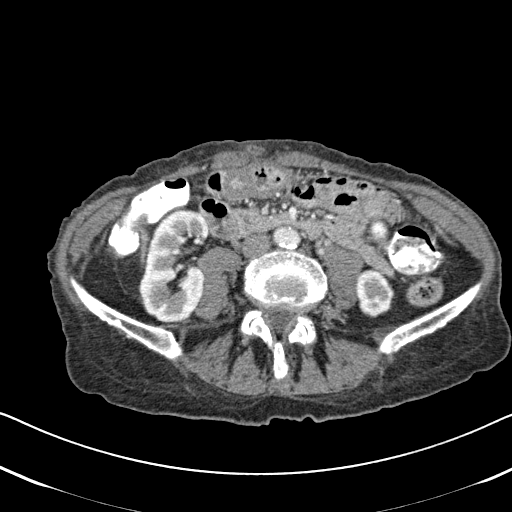
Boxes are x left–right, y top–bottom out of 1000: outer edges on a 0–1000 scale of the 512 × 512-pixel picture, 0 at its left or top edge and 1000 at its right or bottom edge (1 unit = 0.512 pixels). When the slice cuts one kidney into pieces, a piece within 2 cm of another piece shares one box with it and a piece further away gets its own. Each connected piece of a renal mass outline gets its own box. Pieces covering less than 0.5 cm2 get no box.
This is axial slice 243 of 620 (slice 1 is the lowest) of an arterial-phase abdominal CT with contrast; each pixel is 0.637 mm and the slice is 2.00 mm thick. Two boxes on this slice (two kidney boxes), listed by box centre from the image's left to its right. (1) Box x 270–410, y 406–635 out of 1000: right kidney (outlined area 6,090 px, about 24.7 cm2). (2) Left kidney, box x 695–771, y 525–621 out of 1000 (outlined area 1,463 px, about 5.9 cm2). No renal mass is outlined on this slice.
Scan settings: 120 kVp, B31f reconstruction kernel.